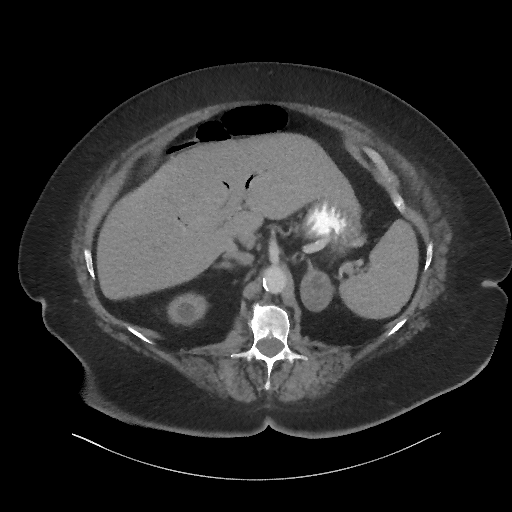
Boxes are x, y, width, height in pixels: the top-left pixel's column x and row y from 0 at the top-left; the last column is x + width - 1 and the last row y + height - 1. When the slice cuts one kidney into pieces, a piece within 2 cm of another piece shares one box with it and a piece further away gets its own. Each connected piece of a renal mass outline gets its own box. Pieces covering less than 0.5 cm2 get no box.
Slice 51/86 of a contrast-enhanced abdominal CT, counting up from the lowest; pixel size 0.977 mm, slice thickness 3.00 mm. Box x 167, y 293, width 41, height 33: right kidney (outlined area 1,003 px, about 9.6 cm2). No renal mass is outlined on this slice.
Tube voltage 140 kVp; convolution kernel I44f.